Axial slice 180 of 316 of a contrast-enhanced abdominal CT in the arterial phase (slice 1 is the lowest), 100 kVp, kernel I40f; 2.00 mm slice thickness and 0.840 mm pixels.
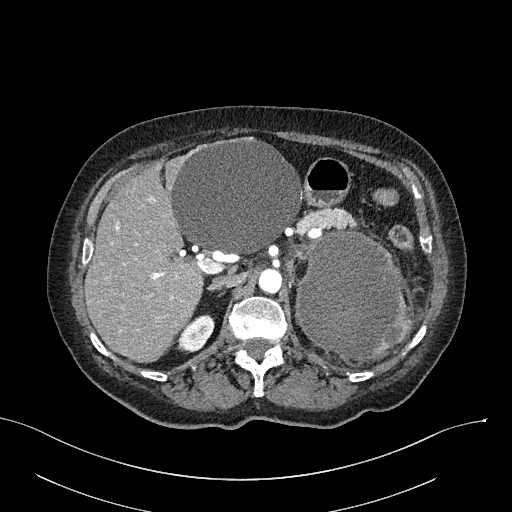
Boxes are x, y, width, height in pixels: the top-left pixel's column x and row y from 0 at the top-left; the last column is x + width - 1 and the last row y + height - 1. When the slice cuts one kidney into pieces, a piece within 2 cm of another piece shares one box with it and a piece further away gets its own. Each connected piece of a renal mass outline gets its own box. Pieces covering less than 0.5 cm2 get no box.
Boxed on this slice (one kidney box and one renal mass box), listed by box centre from the image's left to its right: (1) Right kidney at x 176, y 314, width 39, height 40 (outlined area 997 px, about 7.0 cm2). (2) Box x 294, y 229, width 119, height 134: left renal mass (outlined area 11,895 px, about 83.9 cm2); here it is more than 1 cm from any kidney outline, though on another slice the same outlined renal mass lies within 1 cm of the kidney.